One axial slice (448 of 553, counting up from the lowest) of an arterial-phase abdominal CT acquired with 120 kVp, kernel B20f; each pixel is 0.773 mm and the slice is 1.00 mm thick.
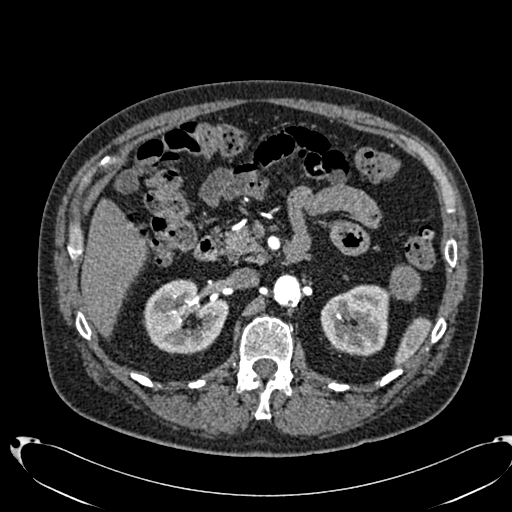
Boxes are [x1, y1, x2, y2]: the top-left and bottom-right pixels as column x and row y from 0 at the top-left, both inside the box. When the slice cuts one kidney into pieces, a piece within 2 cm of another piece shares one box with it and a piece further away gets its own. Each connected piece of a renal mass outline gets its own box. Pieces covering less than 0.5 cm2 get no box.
Two kidney boxes and one renal mass box on this slice; by box centre, from the image's left to its right: (1) Right kidney, box [142, 279, 228, 354] (outlined area 4,739 px, about 28.3 cm2). (2) Left kidney, box [320, 284, 389, 355] (outlined area 3,918 px, about 23.4 cm2). (3) Left renal mass, box [390, 264, 420, 301] (outlined area 907 px, about 5.4 cm2).